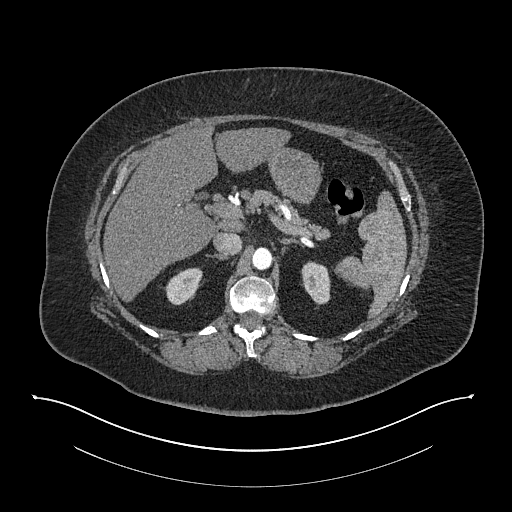
Abdominal CT with intravenous contrast, arterial phase, axial plane, 140 kVp, kernel I30f. Slice 560/673 from the bottom of the scan; thickness 1.00 mm; pixel size 0.957 mm.
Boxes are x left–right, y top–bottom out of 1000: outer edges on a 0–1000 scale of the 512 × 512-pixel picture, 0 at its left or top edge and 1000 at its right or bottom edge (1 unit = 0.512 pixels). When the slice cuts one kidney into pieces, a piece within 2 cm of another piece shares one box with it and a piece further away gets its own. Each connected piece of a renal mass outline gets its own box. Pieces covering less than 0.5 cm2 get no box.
Two boxes on this slice (two kidney boxes), listed by box centre from the image's left to its right. (1) Right kidney, box x 322–396, y 521–598 out of 1000 (outlined area 1,005 px, about 9.2 cm2). (2) Left kidney, box x 588–646, y 510–598 out of 1000 (outlined area 996 px, about 9.1 cm2). This slice carries no renal mass outline.